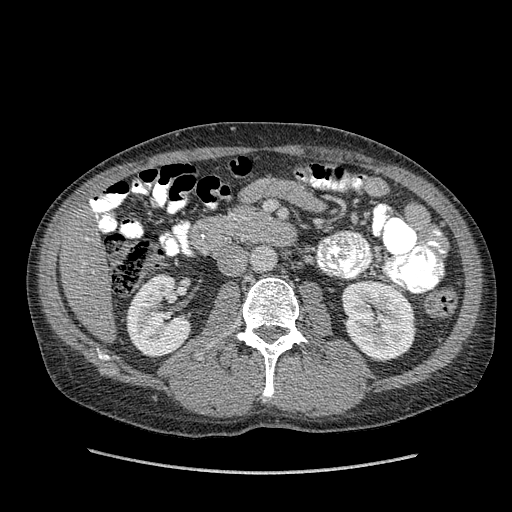
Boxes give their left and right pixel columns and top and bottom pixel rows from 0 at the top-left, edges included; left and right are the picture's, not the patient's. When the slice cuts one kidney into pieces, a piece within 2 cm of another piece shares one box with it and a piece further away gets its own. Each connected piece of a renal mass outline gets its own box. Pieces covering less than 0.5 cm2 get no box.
Arterial-phase contrast-enhanced abdominal CT, axial slice 195 of 349 (counted from the lowest slice); 1.25 mm thick, 0.742 mm per pixel. Boxed on this slice (two kidney boxes), listed by box centre from the image's left to its right: (1) Right kidney, the box with left 125, top 273, right 192, bottom 357 (outlined area 4,099 px, about 22.6 cm2). (2) Box with left 341, top 279, right 416, bottom 361: left kidney (outlined area 4,853 px, about 26.7 cm2). This slice carries no renal mass outline.
Tube voltage 120 kVp; convolution kernel STANDARD.